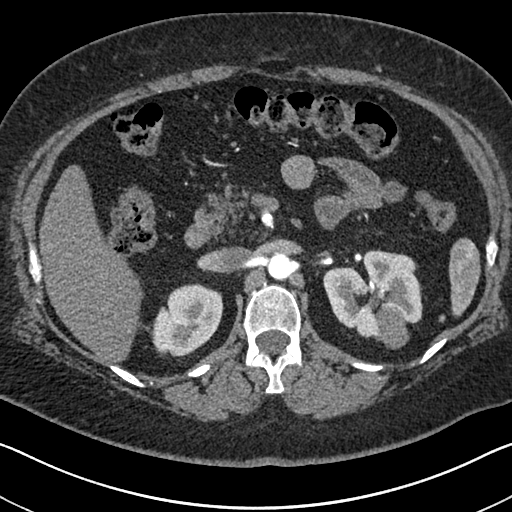
Arterial-phase contrast-enhanced abdominal CT, axial slice 444 of 591 (counted from the lowest slice); tube voltage 140 kVp, convolution kernel I30f; slices 1.00 mm thick, 0.703 mm per pixel.
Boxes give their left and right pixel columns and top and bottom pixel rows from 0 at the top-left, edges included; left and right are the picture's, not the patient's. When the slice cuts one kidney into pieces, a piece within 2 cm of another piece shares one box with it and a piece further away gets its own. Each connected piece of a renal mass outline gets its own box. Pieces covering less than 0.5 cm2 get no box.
Two kidney boxes and one renal mass box on this slice; by box centre, from the image's left to its right: (1) Right kidney, the box with left 146, top 283, right 223, bottom 356 (outlined area 3,903 px, about 19.3 cm2). (2) Left kidney, the box with left 323, top 249, right 422, bottom 340 (outlined area 5,814 px, about 28.7 cm2). (3) Box with left 376, top 305, right 409, bottom 348: left renal mass (outlined area 1,073 px, about 5.3 cm2).